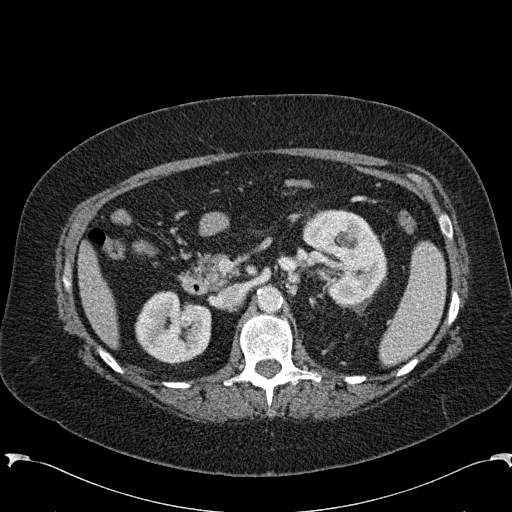
One axial slice (149 of 285, counting up from the lowest) of an arterial-phase abdominal CT acquired with 120 kVp, kernel B31f; each pixel is 0.762 mm and the slice is 2.00 mm thick.
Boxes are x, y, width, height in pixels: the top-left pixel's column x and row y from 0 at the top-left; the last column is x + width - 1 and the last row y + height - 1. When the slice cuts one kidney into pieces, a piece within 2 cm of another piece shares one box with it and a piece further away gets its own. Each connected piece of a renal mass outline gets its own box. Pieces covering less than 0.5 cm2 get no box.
Two boxes on this slice (two kidney boxes), listed by box centre from the image's left to its right. (1) Box x 134, y 291, width 78, height 74: right kidney (outlined area 4,250 px, about 24.7 cm2). (2) Left kidney, box x 302, y 209, width 86, height 97 (outlined area 5,938 px, about 34.5 cm2). No renal mass outline on this slice.